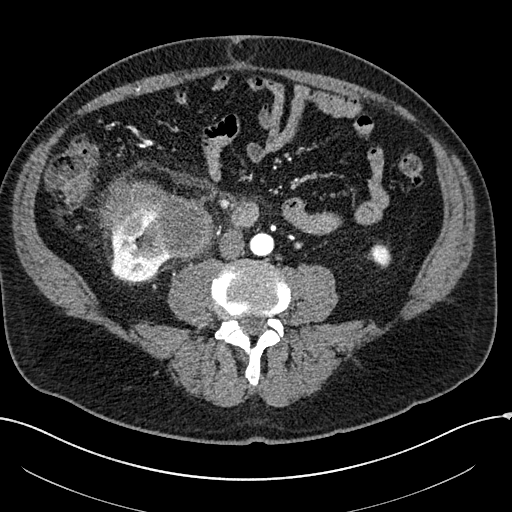
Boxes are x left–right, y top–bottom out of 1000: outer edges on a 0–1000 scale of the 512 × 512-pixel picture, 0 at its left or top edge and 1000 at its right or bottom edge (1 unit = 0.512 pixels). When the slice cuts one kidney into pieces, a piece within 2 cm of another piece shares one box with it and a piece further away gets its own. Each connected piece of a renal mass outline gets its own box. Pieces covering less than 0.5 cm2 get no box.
This is axial slice 44 of 304 (slice 1 is the lowest) of an arterial-phase abdominal CT with contrast; each pixel is 0.809 mm and the slice is 2.00 mm thick. Three boxes on this slice (two kidney boxes and one renal mass box), listed by box centre from the image's left to its right. (1) Box x 209–334, y 412–555 out of 1000: right kidney (outlined area 2,628 px, about 17.2 cm2). (2) Right renal mass at x 191–418, y 342–508 out of 1000 (outlined area 5,741 px, about 37.5 cm2). (3) Box x 727–764, y 477–516 out of 1000: left kidney (outlined area 295 px, about 1.9 cm2).
Tube voltage 100 kVp; convolution kernel I30f.